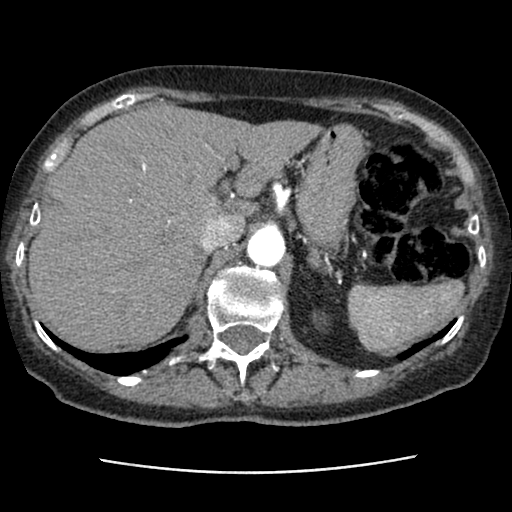
Abdominal CT with intravenous contrast, axial plane, 120 kVp, kernel STANDARD. Slice 67/76 from the bottom of the scan; thickness 2.50 mm; pixel size 0.586 mm.
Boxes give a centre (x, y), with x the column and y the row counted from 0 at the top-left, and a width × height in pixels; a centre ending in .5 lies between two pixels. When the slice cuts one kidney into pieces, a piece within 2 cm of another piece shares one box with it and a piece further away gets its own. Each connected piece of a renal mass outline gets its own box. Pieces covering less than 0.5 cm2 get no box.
Left kidney, box centre (320, 320), 15 × 17 pixels (outlined area 149 px, about 0.5 cm2). This slice carries no renal mass outline.